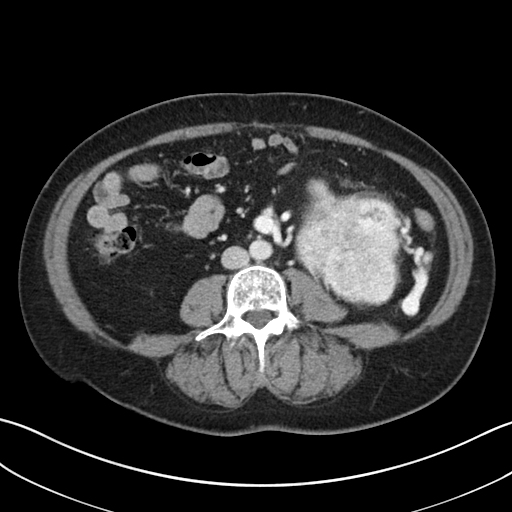
Axial slice 5 of 38 of a contrast-enhanced abdominal CT (slice 1 is the lowest), 100 kVp, kernel I30f; 5.00 mm slice thickness and 0.730 mm pixels.
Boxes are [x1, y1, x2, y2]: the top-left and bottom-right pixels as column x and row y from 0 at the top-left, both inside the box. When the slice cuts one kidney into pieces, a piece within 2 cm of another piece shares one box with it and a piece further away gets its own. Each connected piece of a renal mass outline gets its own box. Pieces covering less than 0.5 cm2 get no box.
One kidney box and one renal mass box on this slice; by box centre, from the image's left to its right: (1) Left kidney, box [308, 179, 331, 200] (outlined area 345 px, about 1.8 cm2). (2) Box [295, 193, 400, 306]: left renal mass (outlined area 9,477 px, about 50.6 cm2).